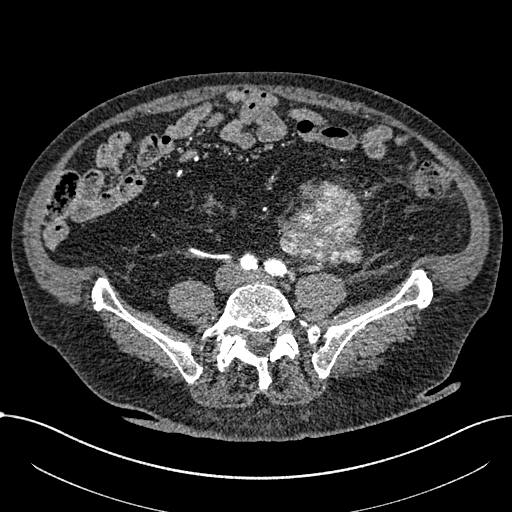
Axial slice 190 of 1059 of a contrast-enhanced abdominal CT in the arterial phase (slice 1 is the lowest), 100 kVp, kernel I30f; 1.00 mm slice thickness and 0.811 mm pixels.
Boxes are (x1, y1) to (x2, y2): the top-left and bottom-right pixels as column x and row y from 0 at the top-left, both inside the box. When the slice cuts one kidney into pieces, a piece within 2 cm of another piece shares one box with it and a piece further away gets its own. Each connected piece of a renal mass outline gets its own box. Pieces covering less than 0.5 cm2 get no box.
Box (279, 180) to (363, 264): renal mass (outlined area 5,068 px, about 33.3 cm2); no kidney is outlined on this slice, but the same outlined renal mass comes within 1 cm of the kidney on another slice.